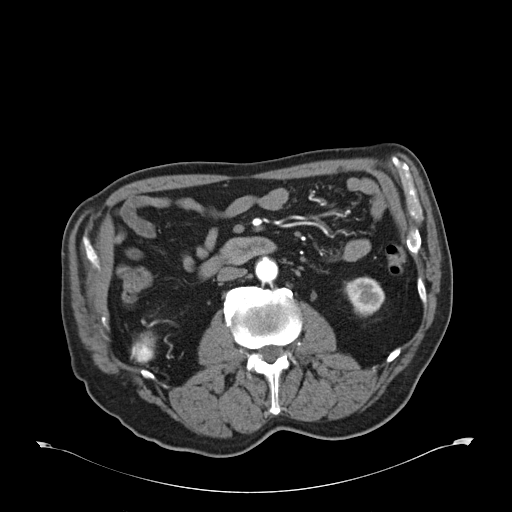
Arterial-phase contrast-enhanced abdominal CT, axial slice 25 of 59 (counted from the lowest slice); tube voltage 120 kVp, convolution kernel B30f; slices 5.00 mm thick, 0.871 mm per pixel.
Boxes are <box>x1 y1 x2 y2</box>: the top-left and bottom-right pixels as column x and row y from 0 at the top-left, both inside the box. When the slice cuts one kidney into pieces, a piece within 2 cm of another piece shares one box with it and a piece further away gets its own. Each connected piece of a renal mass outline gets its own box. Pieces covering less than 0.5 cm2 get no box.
Two boxes on this slice (one kidney box and one renal mass box), listed by box centre from the image's left to its right. (1) Right renal mass at <box>130 331 156 363</box> (outlined area 635 px, about 4.8 cm2); it sits over 1 cm from every kidney outline on this slice, but the same outlined renal mass comes within 1 cm of the kidney on another slice. (2) Left kidney: <box>344 276 385 317</box> (outlined area 1,215 px, about 9.2 cm2).